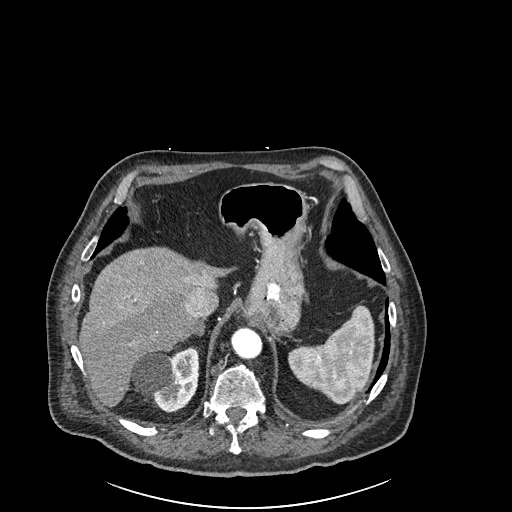
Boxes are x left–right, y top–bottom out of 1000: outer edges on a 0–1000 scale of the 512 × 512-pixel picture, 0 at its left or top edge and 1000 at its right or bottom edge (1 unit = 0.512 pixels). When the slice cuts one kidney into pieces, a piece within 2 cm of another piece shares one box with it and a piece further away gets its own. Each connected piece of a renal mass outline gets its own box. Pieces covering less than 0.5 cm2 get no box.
This is axial slice 195 of 261 (slice 1 is the lowest) of an arterial-phase abdominal CT with contrast; each pixel is 0.939 mm and the slice is 2.00 mm thick. Right kidney at x 256–389, y 678–807 out of 1000 (outlined area 3,162 px, about 27.9 cm2). This slice carries no renal mass outline.
Tube voltage 120 kVp; convolution kernel I30f.